Contrast-enhanced abdominal CT, axial slice 216 of 314 (counted from the lowest slice); tube voltage 130 kVp, convolution kernel B31s; slices 2.50 mm thick, 0.934 mm per pixel.
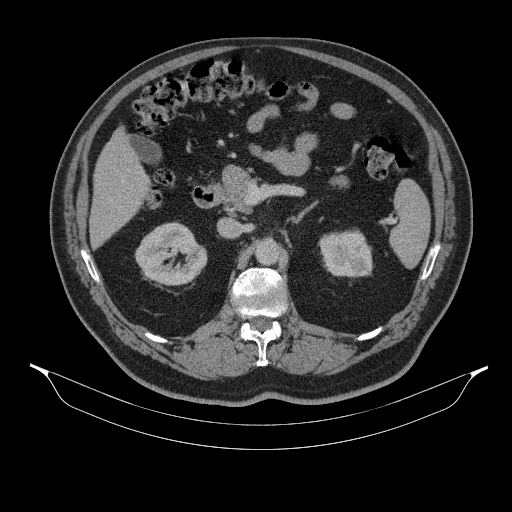
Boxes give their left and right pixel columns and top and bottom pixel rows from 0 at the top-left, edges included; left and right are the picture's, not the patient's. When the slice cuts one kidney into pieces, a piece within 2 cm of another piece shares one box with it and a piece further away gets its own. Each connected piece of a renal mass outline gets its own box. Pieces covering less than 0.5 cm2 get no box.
Two boxes on this slice (two kidney boxes), listed by box centre from the image's left to its right. (1) Right kidney, the box with left 135, top 222, right 207, bottom 285 (outlined area 3,355 px, about 29.2 cm2). (2) Left kidney in the box with left 318, top 228, right 373, bottom 277 (outlined area 2,168 px, about 18.9 cm2). This slice carries no renal mass outline.